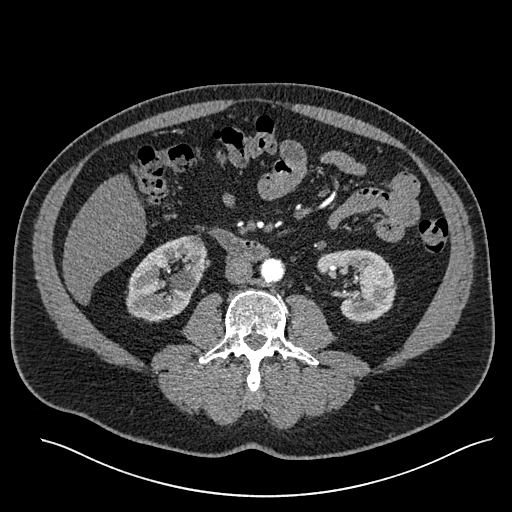
Axial slice 268 of 527 of a contrast-enhanced abdominal CT in the arterial phase (slice 1 is the lowest), 120 kVp, kernel I30f; 1.00 mm slice thickness and 0.859 mm pixels.
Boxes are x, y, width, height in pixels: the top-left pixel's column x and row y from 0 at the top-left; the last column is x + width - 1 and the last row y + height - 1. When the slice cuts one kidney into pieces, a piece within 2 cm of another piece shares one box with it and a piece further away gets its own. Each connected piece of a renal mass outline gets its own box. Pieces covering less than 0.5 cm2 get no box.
Two kidney boxes on this slice; by box centre, from the image's left to its right: (1) Box x 125, y 235, width 82, height 87: right kidney (outlined area 4,732 px, about 34.9 cm2). (2) Box x 317, y 248, width 80, height 76: left kidney (outlined area 3,934 px, about 29.1 cm2). No renal mass outline on this slice.